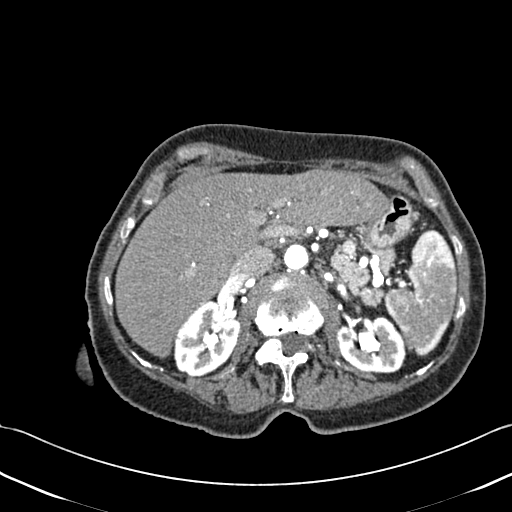
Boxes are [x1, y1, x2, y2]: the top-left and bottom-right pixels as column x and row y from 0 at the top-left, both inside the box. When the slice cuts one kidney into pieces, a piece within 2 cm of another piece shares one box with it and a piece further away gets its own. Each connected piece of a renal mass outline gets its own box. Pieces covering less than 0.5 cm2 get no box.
Contrast-enhanced abdominal CT, axial slice 296 of 433 (counted from the lowest slice); 1.00 mm thick, 0.672 mm per pixel. Two boxes on this slice (two kidney boxes), listed by box centre from the image's left to its right. (1) Box [173, 300, 239, 377]: right kidney (outlined area 3,561 px, about 16.1 cm2). (2) Left kidney, box [336, 315, 406, 373] (outlined area 3,123 px, about 14.1 cm2). No renal mass outline on this slice.
Acquired at 120 kVp and reconstructed with the B30f kernel.